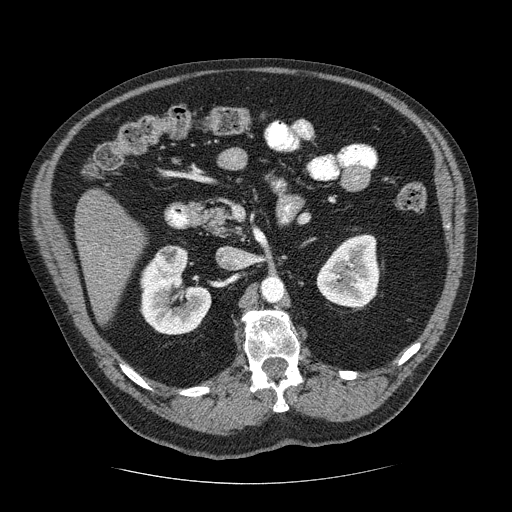
One axial slice (140 of 206, counting up from the lowest) of a contrast-enhanced abdominal CT acquired with 120 kVp, kernel STANDARD; each pixel is 0.879 mm and the slice is 2.50 mm thick.
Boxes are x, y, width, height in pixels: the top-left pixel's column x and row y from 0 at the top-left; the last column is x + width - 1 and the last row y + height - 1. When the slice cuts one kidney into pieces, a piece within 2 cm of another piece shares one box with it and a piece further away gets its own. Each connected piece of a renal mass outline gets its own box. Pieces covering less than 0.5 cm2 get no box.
Three boxes on this slice (two kidney boxes and one renal mass box), listed by box centre from the image's left to its right. (1) Right renal mass, box x 155, y 245, width 34, height 31 (outlined area 856 px, about 6.6 cm2). (2) Right kidney at x 139, y 256, width 73, height 80 (outlined area 3,672 px, about 28.4 cm2). (3) Left kidney at x 316, y 234, width 65, height 75 (outlined area 3,576 px, about 27.6 cm2).